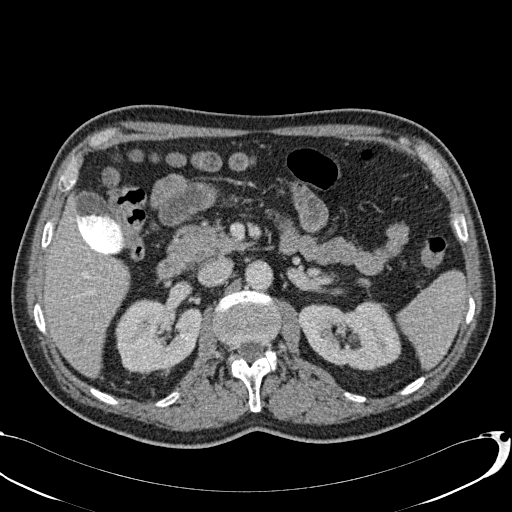
One axial slice (50 of 113, counting up from the lowest) of a contrast-enhanced abdominal CT acquired with 120 kVp, kernel B31f; each pixel is 0.742 mm and the slice is 2.00 mm thick.
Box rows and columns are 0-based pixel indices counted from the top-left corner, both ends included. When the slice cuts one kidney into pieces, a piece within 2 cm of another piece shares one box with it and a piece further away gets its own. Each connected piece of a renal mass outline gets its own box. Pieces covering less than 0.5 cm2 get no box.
Boxed on this slice (two kidney boxes), listed by box centre from the image's left to its right: (1) Right kidney, box rows 299–374, columns 115–200 (outlined area 5,077 px, about 28.0 cm2). (2) Left kidney at rows 300–370, columns 298–401 (outlined area 5,388 px, about 29.7 cm2). No renal mass is outlined on this slice.